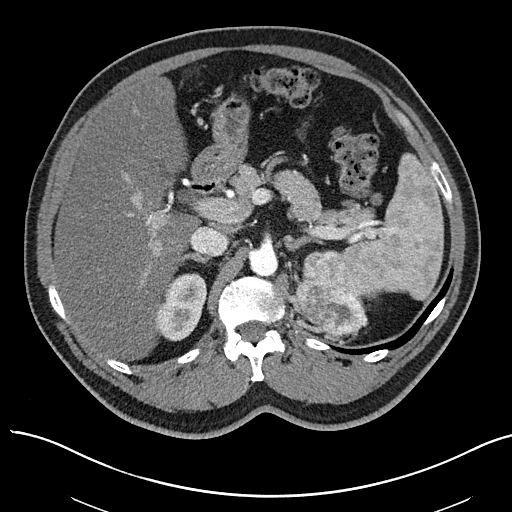
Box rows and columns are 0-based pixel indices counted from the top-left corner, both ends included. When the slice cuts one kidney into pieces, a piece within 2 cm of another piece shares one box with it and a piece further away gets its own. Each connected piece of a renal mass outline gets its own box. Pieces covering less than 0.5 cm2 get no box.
Arterial-phase contrast-enhanced abdominal CT, axial slice 51 of 97 (counted from the lowest slice); 3.00 mm thick, 0.797 mm per pixel. Boxed on this slice (one kidney box and one renal mass box), listed by box centre from the image's left to its right: (1) Right kidney at rows 273–341, columns 156–207 (outlined area 2,609 px, about 16.6 cm2). (2) Box rows 250–341, columns 286–368: left renal mass (outlined area 4,744 px, about 30.1 cm2).
Acquired at 100 kVp and reconstructed with the I40f kernel.